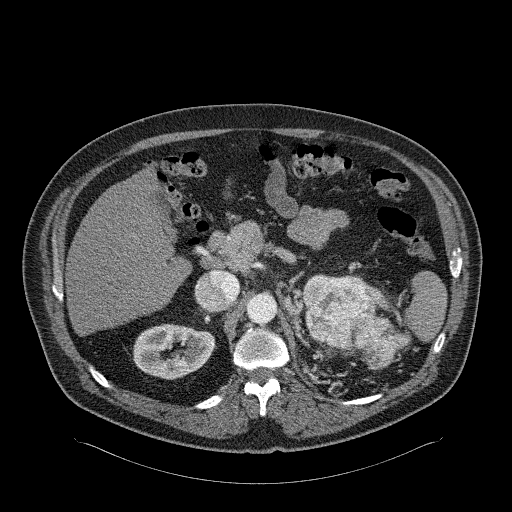
Arterial-phase contrast-enhanced abdominal CT, axial slice 169 of 326 (counted from the lowest slice); tube voltage 120 kVp, convolution kernel B31f; slices 2.00 mm thick, 0.963 mm per pixel.
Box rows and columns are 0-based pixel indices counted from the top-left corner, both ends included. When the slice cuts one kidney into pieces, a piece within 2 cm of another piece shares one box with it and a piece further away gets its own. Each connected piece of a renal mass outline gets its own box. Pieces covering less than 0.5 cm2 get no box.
Three kidney boxes and one renal mass box on this slice; by box centre, from the image's left to its right: (1) Right kidney, box rows 323–379, columns 133–215 (outlined area 3,445 px, about 31.9 cm2). (2) Box rows 274–305, columns 302–333: left kidney (one of two boxed parts) (outlined area 325 px, about 3.0 cm2). (3) Box rows 274–370, columns 305–411: left renal mass (outlined area 6,230 px, about 57.8 cm2). (4) Left kidney (one of two boxed parts), box rows 287–309, columns 373–388 (outlined area 83 px, about 0.8 cm2).